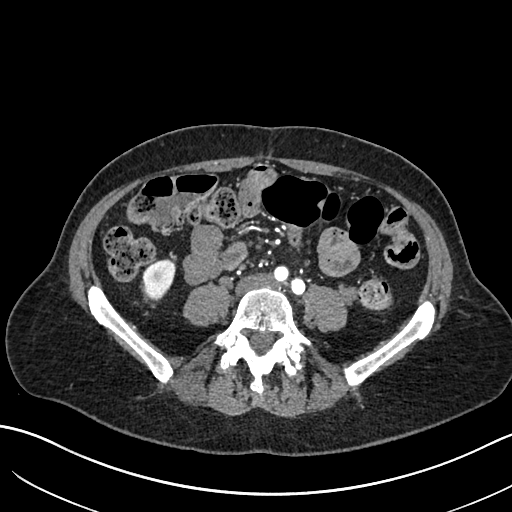
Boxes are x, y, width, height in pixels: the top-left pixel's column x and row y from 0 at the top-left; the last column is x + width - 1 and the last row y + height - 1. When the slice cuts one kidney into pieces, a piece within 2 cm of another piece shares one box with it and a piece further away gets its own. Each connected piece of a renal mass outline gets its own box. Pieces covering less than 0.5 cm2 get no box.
Slice 248/683 of a contrast-enhanced abdominal CT in the arterial phase, counting up from the lowest; pixel size 0.738 mm, slice thickness 1.00 mm. Right kidney at x 142, y 258, width 34, height 42 (outlined area 997 px, about 5.4 cm2).
Acquired at 120 kVp and reconstructed with the I30f kernel.